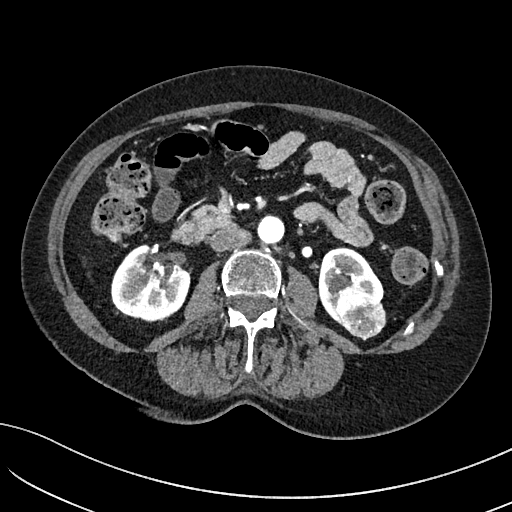
Abdominal CT with intravenous contrast, arterial phase, axial plane, 100 kVp, kernel I40f. Slice 45/234 from the bottom of the scan; thickness 2.00 mm; pixel size 0.699 mm.
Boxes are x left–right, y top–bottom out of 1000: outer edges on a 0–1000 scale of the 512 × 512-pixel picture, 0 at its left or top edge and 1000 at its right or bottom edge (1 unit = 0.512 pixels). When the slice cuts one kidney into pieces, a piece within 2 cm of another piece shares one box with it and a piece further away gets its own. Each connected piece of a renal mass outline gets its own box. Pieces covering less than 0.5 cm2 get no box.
Two kidney boxes and one renal mass box on this slice; by box centre, from the image's left to its right: (1) Right kidney, box x 217–373, y 477–631 out of 1000 (outlined area 4,578 px, about 22.4 cm2). (2) Left kidney, box x 621–752, y 482–627 out of 1000 (outlined area 2,523 px, about 12.3 cm2). (3) Left renal mass at x 652–756, y 559–666 out of 1000 (outlined area 2,097 px, about 10.3 cm2).